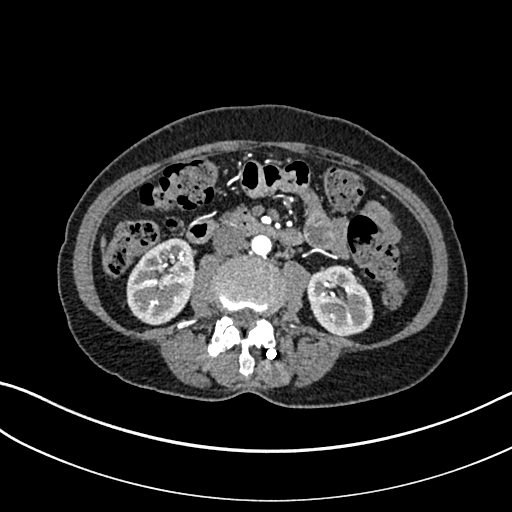
One axial slice (119 of 325, counting up from the lowest) of an arterial-phase abdominal CT acquired with 100 kVp, kernel I30f; each pixel is 0.703 mm and the slice is 1.00 mm thick.
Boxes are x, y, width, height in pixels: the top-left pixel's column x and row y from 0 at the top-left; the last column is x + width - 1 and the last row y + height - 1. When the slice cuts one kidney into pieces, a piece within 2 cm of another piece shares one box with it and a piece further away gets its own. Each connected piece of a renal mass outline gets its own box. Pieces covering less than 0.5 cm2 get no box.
Two boxes on this slice (two kidney boxes), listed by box centre from the image's left to its right. (1) Box x 126, y 237, width 70, height 89: right kidney (outlined area 4,588 px, about 22.7 cm2). (2) Box x 306, y 265, width 68, height 72: left kidney (outlined area 3,558 px, about 17.6 cm2). This slice carries no renal mass outline.